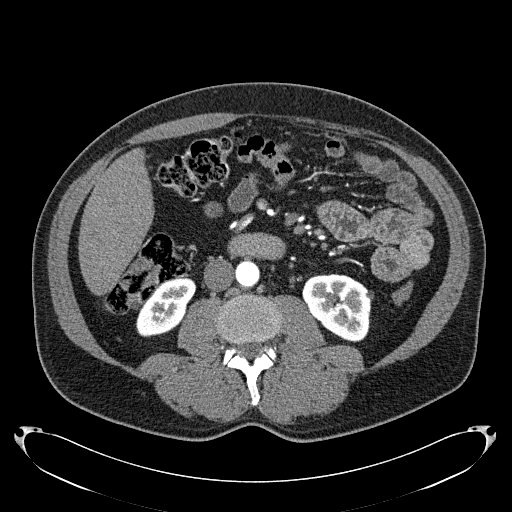
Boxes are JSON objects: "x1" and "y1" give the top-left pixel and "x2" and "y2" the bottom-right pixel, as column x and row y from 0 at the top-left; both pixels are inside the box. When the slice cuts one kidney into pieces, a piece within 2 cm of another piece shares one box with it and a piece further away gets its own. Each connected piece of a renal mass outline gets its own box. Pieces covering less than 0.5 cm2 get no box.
Arterial-phase contrast-enhanced abdominal CT, axial slice 87 of 279 (counted from the lowest slice); 2.00 mm thick, 0.824 mm per pixel. Two kidney boxes on this slice; by box centre, from the image's left to its right: (1) Right kidney, box {"x1": 136, "y1": 276, "x2": 196, "y2": 337} (outlined area 2,356 px, about 16.0 cm2). (2) Left kidney at {"x1": 302, "y1": 274, "x2": 371, "y2": 342} (outlined area 3,563 px, about 24.2 cm2). This slice carries no renal mass outline.
Acquired at 120 kVp and reconstructed with the B31f kernel.